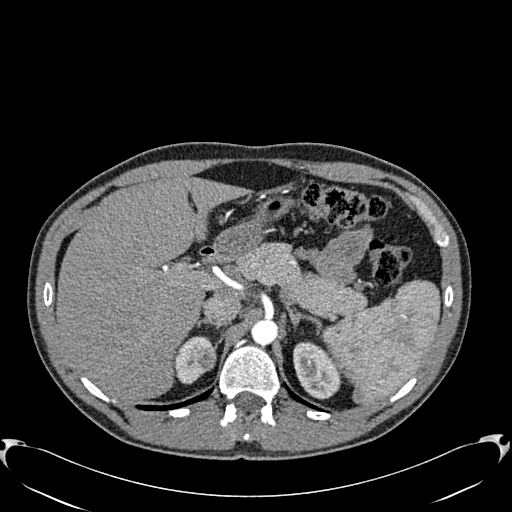
Abdominal CT with intravenous contrast, arterial phase, axial plane, 120 kVp, kernel B30f. Slice 440/512 from the bottom of the scan; thickness 1.00 mm; pixel size 0.771 mm.
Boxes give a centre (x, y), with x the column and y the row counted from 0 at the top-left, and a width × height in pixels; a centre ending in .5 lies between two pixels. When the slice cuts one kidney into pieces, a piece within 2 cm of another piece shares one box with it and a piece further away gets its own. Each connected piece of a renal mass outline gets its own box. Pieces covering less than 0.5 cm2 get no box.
Boxed on this slice (two kidney boxes and one renal mass box), listed by box centre from the image's left to its right: (1) Box centre (193, 360), 39 × 49 pixels: right kidney (outlined area 1,106 px, about 6.6 cm2). (2) Box centre (205.5, 359), 20 × 23 pixels: right renal mass (outlined area 336 px, about 2.0 cm2). (3) Left kidney in a box with centre (317.5, 370), 50 × 59 pixels (outlined area 2,025 px, about 12.1 cm2).